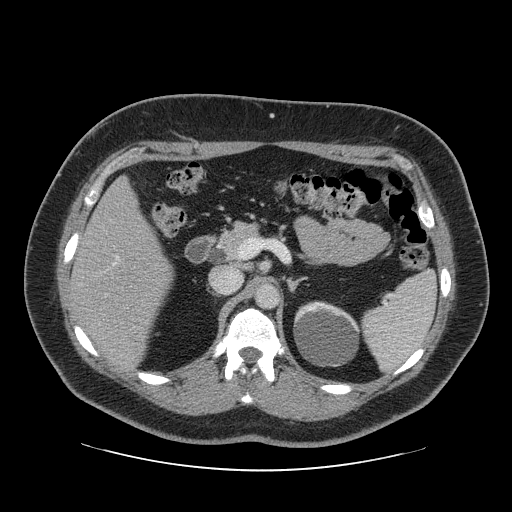
Abdominal CT with intravenous contrast, arterial phase, axial plane, 120 kVp, kernel STANDARD. Slice 53/69 from the bottom of the scan; thickness 2.50 mm; pixel size 0.846 mm.
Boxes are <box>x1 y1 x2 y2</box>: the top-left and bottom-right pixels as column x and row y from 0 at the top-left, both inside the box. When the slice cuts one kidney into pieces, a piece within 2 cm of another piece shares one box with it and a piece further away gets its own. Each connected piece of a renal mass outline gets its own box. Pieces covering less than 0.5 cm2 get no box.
At <box>293 300 361 367</box>: left kidney (outlined area 3,538 px, about 25.3 cm2). No renal mass is outlined on this slice.